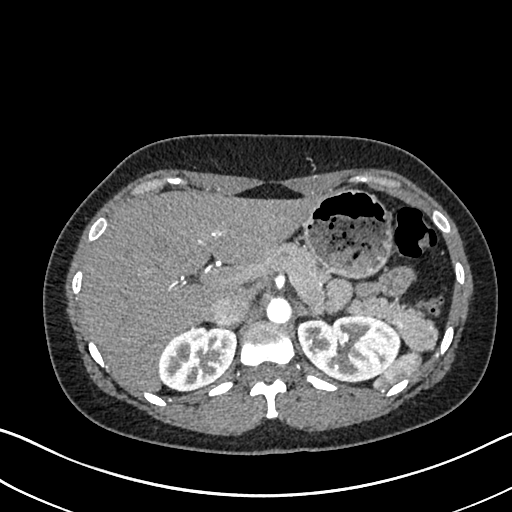
One axial slice (501 of 612, counting up from the lowest) of an arterial-phase abdominal CT acquired with 120 kVp, kernel I30f; each pixel is 0.703 mm and the slice is 1.00 mm thick.
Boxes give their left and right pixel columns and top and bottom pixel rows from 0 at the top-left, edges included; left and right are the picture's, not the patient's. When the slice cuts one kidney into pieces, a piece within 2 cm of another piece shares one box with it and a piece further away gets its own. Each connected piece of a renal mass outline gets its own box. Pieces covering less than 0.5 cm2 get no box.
Two boxes on this slice (two kidney boxes), listed by box centre from the image's left to its right. (1) Right kidney in the box with left 158, top 326, right 235, bottom 391 (outlined area 3,894 px, about 19.3 cm2). (2) Box with left 296, top 314, right 399, bottom 382: left kidney (outlined area 5,453 px, about 27.0 cm2). This slice carries no renal mass outline.